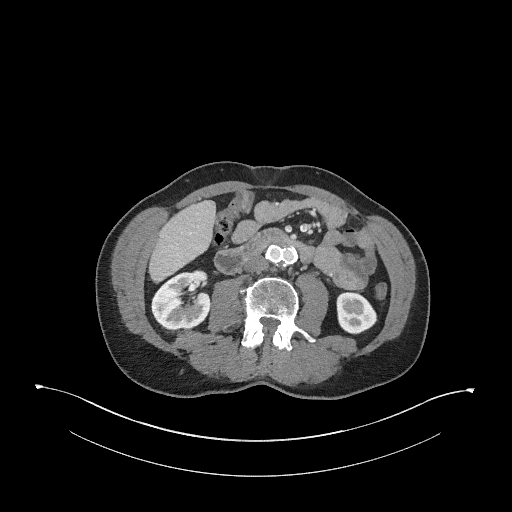
One axial slice (139 of 345, counting up from the lowest) of an arterial-phase abdominal CT acquired with 120 kVp, kernel I31f; each pixel is 0.977 mm and the slice is 2.00 mm thick.
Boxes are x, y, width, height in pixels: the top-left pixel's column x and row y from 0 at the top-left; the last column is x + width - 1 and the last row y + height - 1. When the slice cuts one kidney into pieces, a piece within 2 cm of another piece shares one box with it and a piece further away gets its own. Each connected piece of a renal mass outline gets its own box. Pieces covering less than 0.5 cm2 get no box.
Boxed on this slice (two kidney boxes), listed by box centre from the image's left to its right: (1) Right kidney at x 151, y 270, width 61, height 61 (outlined area 2,816 px, about 26.9 cm2). (2) Box x 336, y 291, width 42, height 44: left kidney (outlined area 1,388 px, about 13.2 cm2). No renal mass is outlined on this slice.